Arterial-phase contrast-enhanced abdominal CT, axial slice 454 of 538 (counted from the lowest slice); tube voltage 120 kVp, convolution kernel B30f; slices 1.00 mm thick, 0.811 mm per pixel.
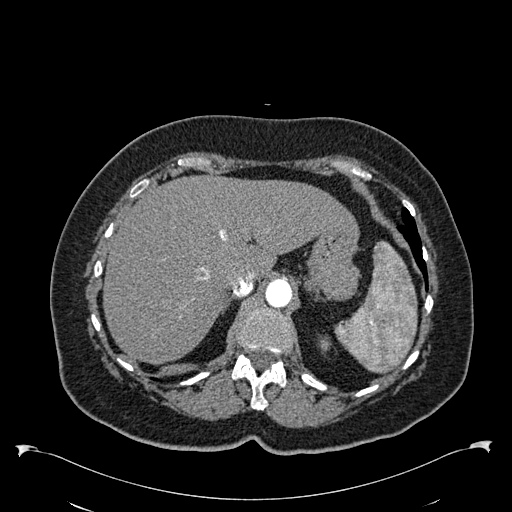
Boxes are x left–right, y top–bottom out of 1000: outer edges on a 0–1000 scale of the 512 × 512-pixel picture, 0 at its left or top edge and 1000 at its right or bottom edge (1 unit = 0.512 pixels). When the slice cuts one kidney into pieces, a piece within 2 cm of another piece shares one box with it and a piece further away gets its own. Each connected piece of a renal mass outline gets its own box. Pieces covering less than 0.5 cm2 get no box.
Left kidney at x 623–648, y 656–691 out of 1000 (outlined area 153 px, about 1.0 cm2). No renal mass is outlined on this slice.